Axial slice 46 of 85 of a contrast-enhanced abdominal CT in the arterial phase (slice 1 is the lowest), 100 kVp, kernel I41f; 5.00 mm slice thickness and 0.664 mm pixels.
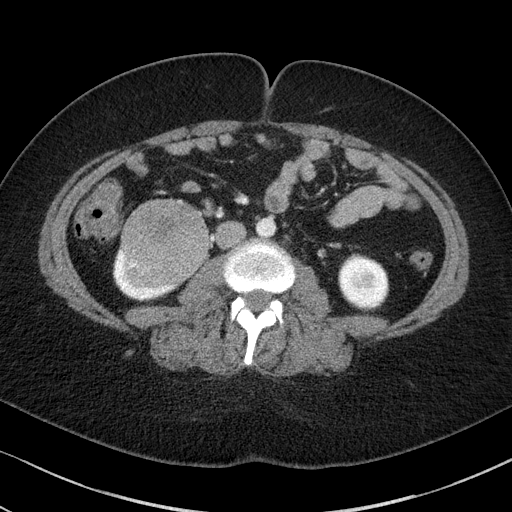
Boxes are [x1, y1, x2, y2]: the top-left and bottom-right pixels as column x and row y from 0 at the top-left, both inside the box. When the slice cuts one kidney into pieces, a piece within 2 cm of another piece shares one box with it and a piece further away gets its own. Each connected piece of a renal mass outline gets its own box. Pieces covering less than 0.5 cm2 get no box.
Three boxes on this slice (two kidney boxes and one renal mass box), listed by box centre from the image's left to its right. (1) Right kidney at [112, 247, 179, 301] (outlined area 1,300 px, about 5.7 cm2). (2) Right renal mass, box [119, 198, 209, 285] (outlined area 6,267 px, about 27.6 cm2). (3) Box [338, 253, 389, 312]: left kidney (outlined area 2,298 px, about 10.1 cm2).